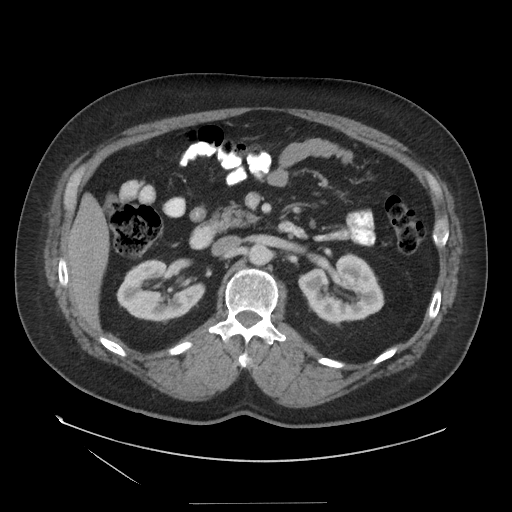
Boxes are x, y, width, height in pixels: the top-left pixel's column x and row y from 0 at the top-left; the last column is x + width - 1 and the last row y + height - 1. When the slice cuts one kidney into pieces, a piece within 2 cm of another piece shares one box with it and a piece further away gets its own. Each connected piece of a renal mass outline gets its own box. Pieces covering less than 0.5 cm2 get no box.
Slice 83/129 of a contrast-enhanced abdominal CT in the arterial phase, counting up from the lowest; pixel size 0.938 mm, slice thickness 3.75 mm. Two boxes on this slice (two kidney boxes), listed by box centre from the image's left to its right. (1) Box x 116, y 259, width 90, height 65: right kidney (outlined area 3,941 px, about 34.6 cm2). (2) Left kidney, box x 298, y 252, width 87, height 71 (outlined area 4,246 px, about 37.3 cm2). No renal mass outline on this slice.
Tube voltage 140 kVp; convolution kernel STANDARD.